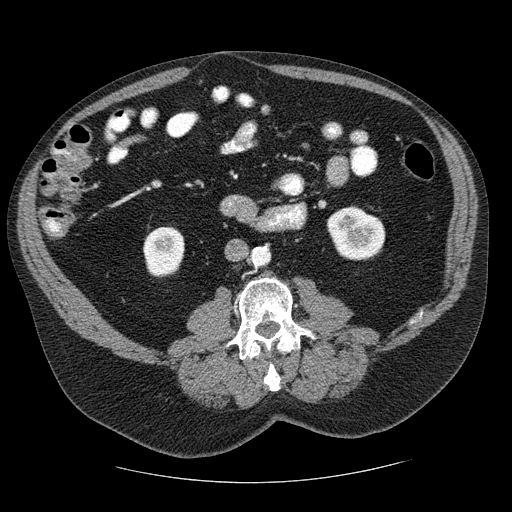
Contrast-enhanced abdominal CT, axial slice 113 of 206 (counted from the lowest slice); tube voltage 120 kVp, convolution kernel STANDARD; slices 2.50 mm thick, 0.879 mm per pixel.
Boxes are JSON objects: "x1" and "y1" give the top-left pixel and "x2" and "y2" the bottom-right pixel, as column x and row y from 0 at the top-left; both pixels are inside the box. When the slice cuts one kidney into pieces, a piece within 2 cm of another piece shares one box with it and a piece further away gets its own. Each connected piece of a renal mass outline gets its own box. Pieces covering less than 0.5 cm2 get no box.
Boxed on this slice (two kidney boxes), listed by box centre from the image's left to its right: (1) Right kidney at {"x1": 142, "y1": 226, "x2": 184, "y2": 277} (outlined area 1,766 px, about 13.6 cm2). (2) Left kidney at {"x1": 326, "y1": 205, "x2": 385, "y2": 260} (outlined area 2,481 px, about 19.2 cm2). This slice carries no renal mass outline.